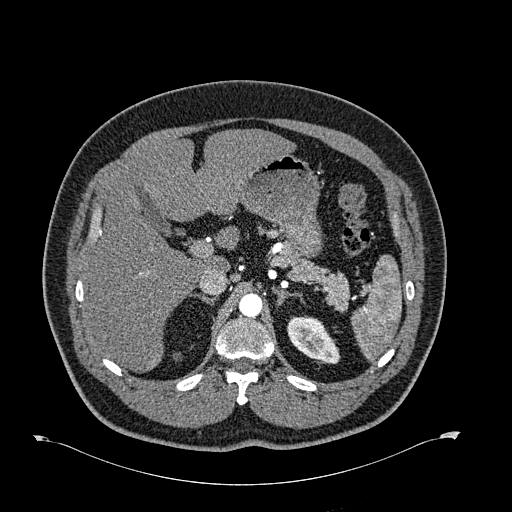
Arterial-phase contrast-enhanced abdominal CT, axial slice 475 of 723 (counted from the lowest slice); tube voltage 120 kVp, convolution kernel B30f; slices 1.00 mm thick, 0.895 mm per pixel.
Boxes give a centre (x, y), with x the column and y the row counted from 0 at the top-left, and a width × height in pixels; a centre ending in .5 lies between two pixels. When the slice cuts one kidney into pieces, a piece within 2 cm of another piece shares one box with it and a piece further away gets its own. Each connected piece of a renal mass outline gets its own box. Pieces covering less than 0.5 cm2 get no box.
Left kidney, box centre (313.5, 339), 54 × 49 pixels (outlined area 1,731 px, about 13.9 cm2). No renal mass outline on this slice.